One axial slice (37 of 80, counting up from the lowest) of a contrast-enhanced abdominal CT acquired with 120 kVp, kernel B30f; each pixel is 0.822 mm and the slice is 3.00 mm thick.
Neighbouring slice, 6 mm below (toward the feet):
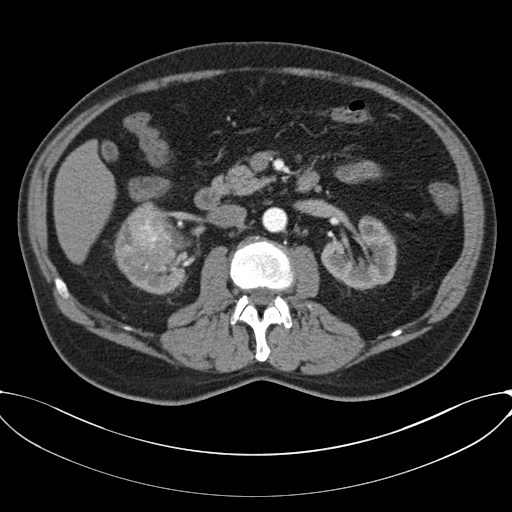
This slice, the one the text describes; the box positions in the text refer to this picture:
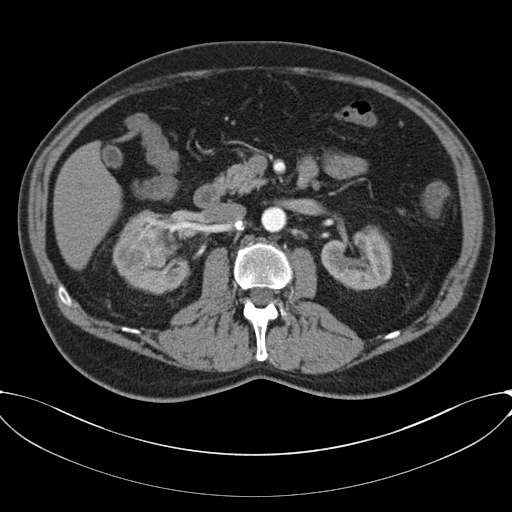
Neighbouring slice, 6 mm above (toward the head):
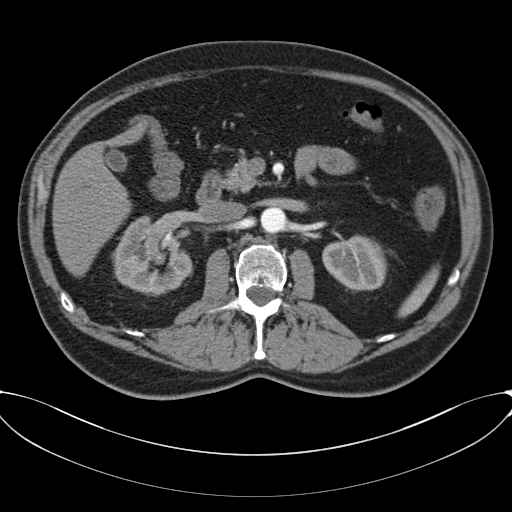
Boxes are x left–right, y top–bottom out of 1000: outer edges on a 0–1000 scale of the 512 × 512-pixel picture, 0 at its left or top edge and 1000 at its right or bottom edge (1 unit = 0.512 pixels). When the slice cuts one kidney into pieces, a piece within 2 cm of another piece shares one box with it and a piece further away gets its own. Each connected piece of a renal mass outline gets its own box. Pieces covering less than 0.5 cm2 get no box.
Two kidney boxes and one renal mass box on this slice; by box centre, from the image's left to its right: (1) Box x 254–322, y 459–523 out of 1000: right renal mass (outlined area 825 px, about 5.6 cm2). (2) Right kidney at x 221–371, y 412–576 out of 1000 (outlined area 3,538 px, about 23.9 cm2). (3) Left kidney at x 625–768, y 441–570 out of 1000 (outlined area 3,318 px, about 22.4 cm2). This slice is near the end of the right renal mass toward the head, so the slices 6 mm below and 6 mm above it are shown as well; the boxes refer to this slice only.